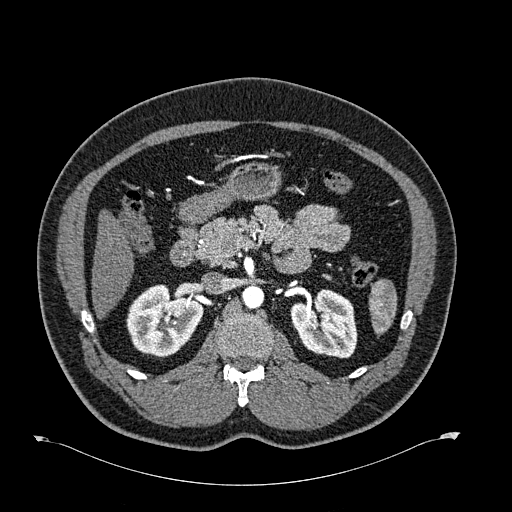
Axial slice 404 of 723 of a contrast-enhanced abdominal CT in the arterial phase (slice 1 is the lowest), 120 kVp, kernel B30f; 1.00 mm slice thickness and 0.895 mm pixels.
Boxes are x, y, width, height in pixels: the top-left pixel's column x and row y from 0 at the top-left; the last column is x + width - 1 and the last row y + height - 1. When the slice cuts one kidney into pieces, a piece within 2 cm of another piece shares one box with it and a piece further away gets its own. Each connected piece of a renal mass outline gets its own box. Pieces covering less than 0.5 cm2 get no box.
Boxed on this slice (two kidney boxes), listed by box centre from the image's left to its right: (1) Box x 126, y 283, width 78, height 75: right kidney (outlined area 4,091 px, about 32.7 cm2). (2) Box x 290, y 289, width 68, height 69: left kidney (outlined area 3,538 px, about 28.3 cm2). No renal mass is outlined on this slice.